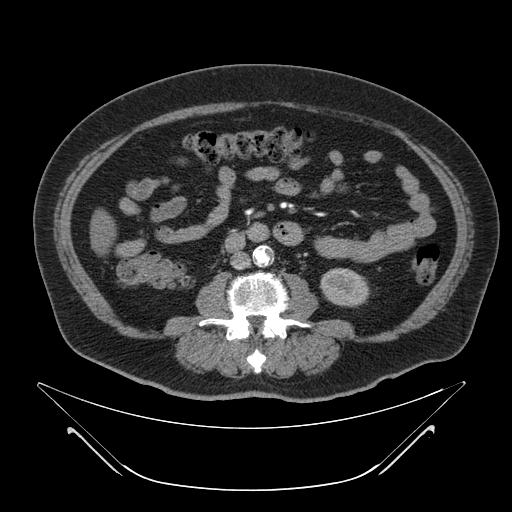
One axial slice (16 of 64, counting up from the lowest) of a contrast-enhanced abdominal CT acquired with 120 kVp, kernel B; each pixel is 0.977 mm and the slice is 4.00 mm thick.
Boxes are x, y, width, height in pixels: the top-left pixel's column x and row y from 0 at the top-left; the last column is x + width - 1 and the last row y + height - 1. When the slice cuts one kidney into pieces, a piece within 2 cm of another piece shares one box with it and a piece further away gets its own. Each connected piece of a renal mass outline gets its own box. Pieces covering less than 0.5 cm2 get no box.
Box x 319, y 268, width 51, height 40: left kidney (outlined area 1,551 px, about 14.8 cm2). No renal mass outline on this slice.